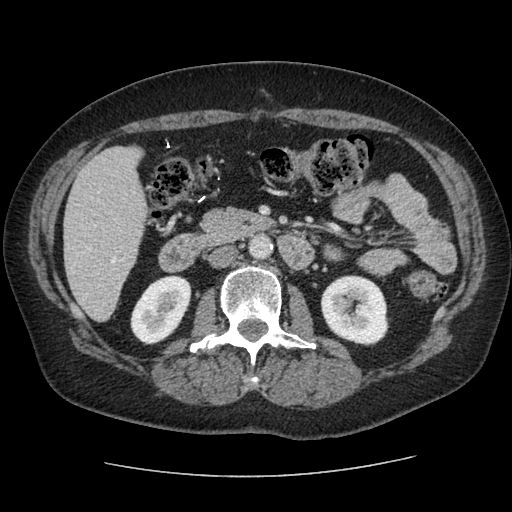
Abdominal CT with intravenous contrast, arterial phase, axial plane, 120 kVp, kernel STANDARD. Slice 40/96 from the bottom of the scan; thickness 2.50 mm; pixel size 0.689 mm.
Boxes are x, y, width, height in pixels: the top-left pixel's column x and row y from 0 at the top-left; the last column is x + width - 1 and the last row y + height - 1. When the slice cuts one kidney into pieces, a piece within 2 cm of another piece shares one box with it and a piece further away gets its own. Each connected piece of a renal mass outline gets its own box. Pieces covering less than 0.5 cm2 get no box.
Boxed on this slice (two kidney boxes), listed by box centre from the image's left to its right: (1) Box x 130, y 275, width 62, height 70: right kidney (outlined area 3,039 px, about 14.4 cm2). (2) Box x 320, y 275, width 70, height 71: left kidney (outlined area 3,801 px, about 18.1 cm2). This slice carries no renal mass outline.